Axial slice 239 of 673 of a contrast-enhanced abdominal CT in the arterial phase (slice 1 is the lowest), 120 kVp, kernel I30f; 1.00 mm slice thickness and 0.855 mm pixels.
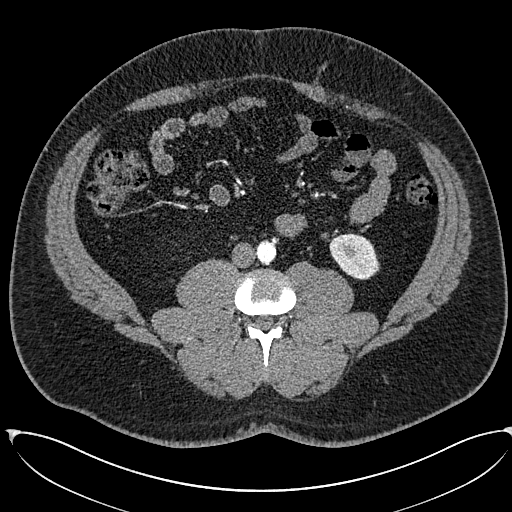
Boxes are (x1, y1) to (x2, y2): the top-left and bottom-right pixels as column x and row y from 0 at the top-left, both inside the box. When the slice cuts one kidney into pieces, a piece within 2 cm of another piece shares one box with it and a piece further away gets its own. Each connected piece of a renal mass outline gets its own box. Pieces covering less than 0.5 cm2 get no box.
Left kidney from (329, 233) to (379, 279) (outlined area 1,729 px, about 12.7 cm2). No renal mass is outlined on this slice.